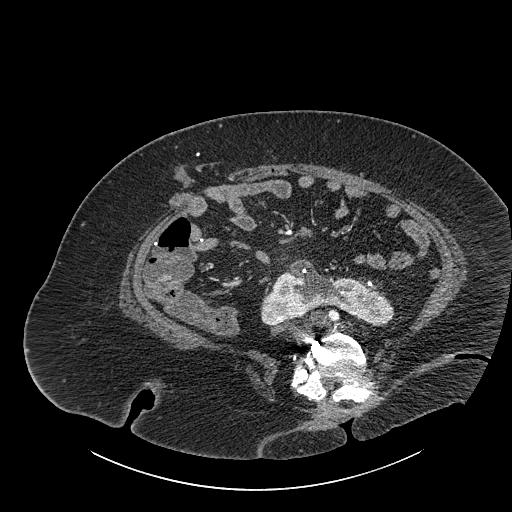
Axial slice 447 of 834 of a contrast-enhanced abdominal CT (slice 1 is the lowest), 140 kVp, kernel I30f; 1.00 mm slice thickness and 0.977 mm pixels.
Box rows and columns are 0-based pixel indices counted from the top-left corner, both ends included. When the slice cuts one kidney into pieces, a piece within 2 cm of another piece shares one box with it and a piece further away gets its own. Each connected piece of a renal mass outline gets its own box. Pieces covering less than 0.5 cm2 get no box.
Kidney crossing the body midline, box rows 259–326, columns 260–394 (outlined area 5,171 px, about 49.3 cm2). This slice carries no renal mass outline.